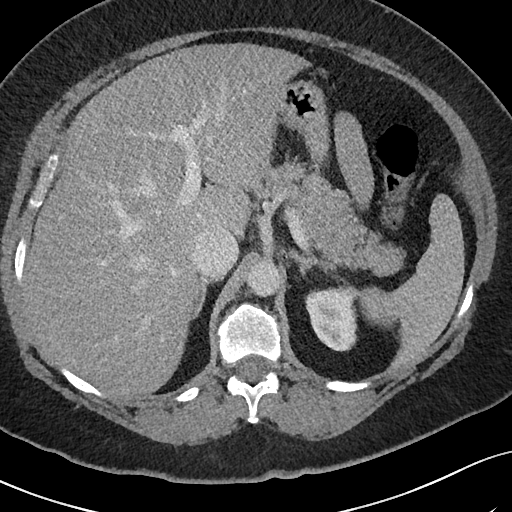
Arterial-phase contrast-enhanced abdominal CT, axial slice 61 of 69 (counted from the lowest slice); tube voltage 120 kVp, convolution kernel I40f; slices 3.00 mm thick, 0.664 mm per pixel.
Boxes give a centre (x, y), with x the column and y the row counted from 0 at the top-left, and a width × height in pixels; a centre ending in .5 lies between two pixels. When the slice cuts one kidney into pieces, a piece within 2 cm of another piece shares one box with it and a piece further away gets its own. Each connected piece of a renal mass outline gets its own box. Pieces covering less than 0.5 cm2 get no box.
Left kidney in a box with centre (331.5, 316), 54 × 71 pixels (outlined area 2,791 px, about 12.3 cm2). This slice carries no renal mass outline.